Axial slice 450 of 705 of a contrast-enhanced abdominal CT in the arterial phase (slice 1 is the lowest), 120 kVp, kernel I30f; 1.00 mm slice thickness and 0.703 mm pixels.
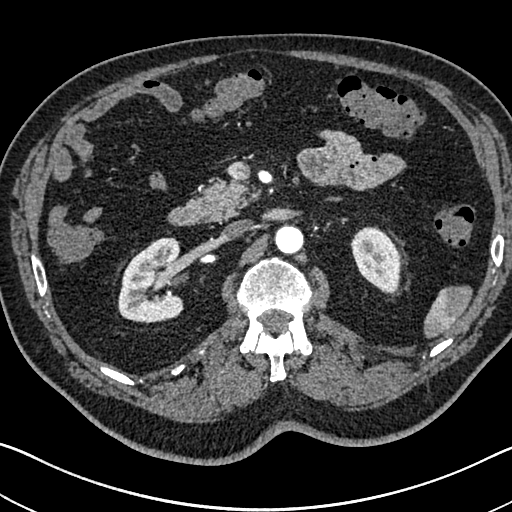
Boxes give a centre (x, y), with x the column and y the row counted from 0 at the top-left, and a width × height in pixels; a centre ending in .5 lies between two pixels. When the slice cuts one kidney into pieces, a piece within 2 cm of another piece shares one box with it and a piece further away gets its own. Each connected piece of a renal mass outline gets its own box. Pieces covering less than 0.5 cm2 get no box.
Two kidney boxes on this slice; by box centre, from the image's left to its right: (1) Right kidney in a box with centre (150.5, 279.5), 66 × 86 pixels (outlined area 4,292 px, about 21.2 cm2). (2) Left kidney in a box with centre (375, 259.5), 51 × 68 pixels (outlined area 2,423 px, about 12.0 cm2). No renal mass outline on this slice.